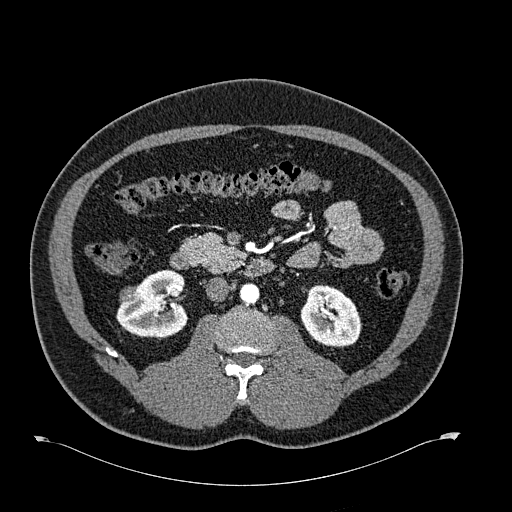
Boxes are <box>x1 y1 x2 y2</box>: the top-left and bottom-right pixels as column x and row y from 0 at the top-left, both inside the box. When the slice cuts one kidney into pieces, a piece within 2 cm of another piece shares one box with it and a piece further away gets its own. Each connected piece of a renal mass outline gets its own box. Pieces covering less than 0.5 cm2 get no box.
Arterial-phase contrast-enhanced abdominal CT, axial slice 343 of 723 (counted from the lowest slice); 1.00 mm thick, 0.895 mm per pixel. Boxed on this slice (two kidney boxes and one renal mass box), listed by box centre from the image's left to its right: (1) Right renal mass: <box>119 286 138 303</box> (outlined area 285 px, about 2.3 cm2). (2) Right kidney: <box>116 269 188 339</box> (outlined area 3,502 px, about 28.0 cm2). (3) Left kidney: <box>300 284 360 347</box> (outlined area 2,903 px, about 23.2 cm2).
Tube voltage 120 kVp; convolution kernel B30f.